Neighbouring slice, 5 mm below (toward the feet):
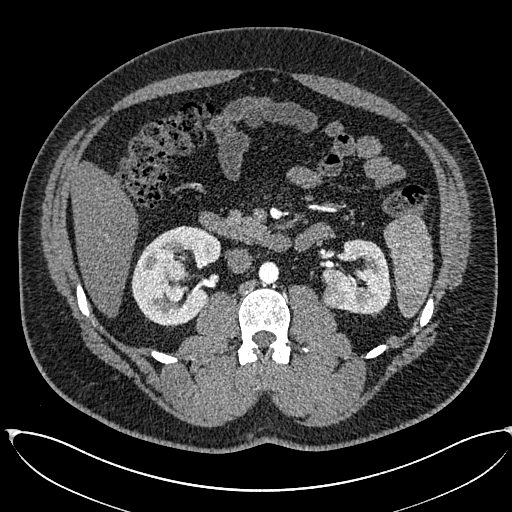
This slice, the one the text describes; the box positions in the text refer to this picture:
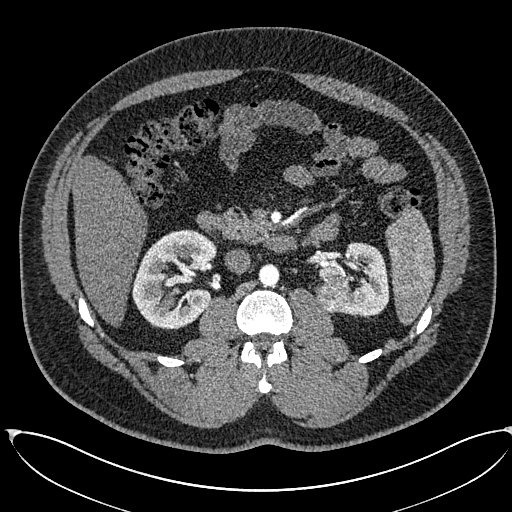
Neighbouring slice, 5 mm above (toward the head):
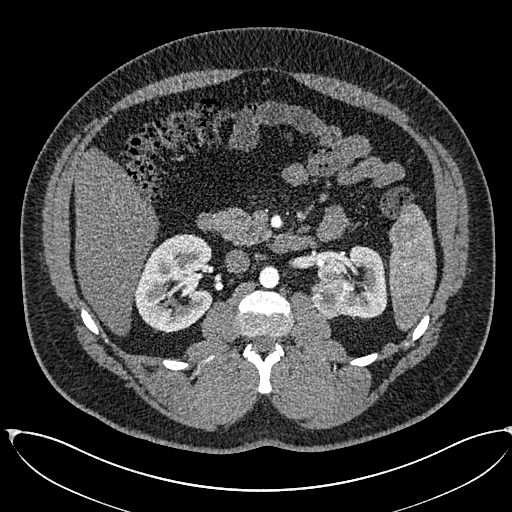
Arterial-phase contrast-enhanced abdominal CT, axial slice 351 of 673 (counted from the lowest slice); tube voltage 120 kVp, convolution kernel I30f; slices 1.00 mm thick, 0.855 mm per pixel.
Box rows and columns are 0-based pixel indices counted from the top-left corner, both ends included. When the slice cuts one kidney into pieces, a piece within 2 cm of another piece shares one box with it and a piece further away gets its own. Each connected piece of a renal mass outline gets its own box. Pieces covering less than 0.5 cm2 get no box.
Two kidney boxes and two renal mass boxes on this slice; by box centre, from the image's left to its right: (1) Box rows 229–329, columns 132–217: right kidney (outlined area 6,036 px, about 44.2 cm2). (2) Right renal mass at rows 287–295, columns 170–180 (outlined area 72 px, about 0.5 cm2). (3) Left renal mass, box rows 276–312, columns 315–350 (outlined area 1,023 px, about 7.5 cm2). (4) Left kidney at rows 242–316, columns 319–389 (outlined area 3,171 px, about 23.2 cm2). This slice lies near the end of the right renal mass toward the head; the slices 5 mm below and 5 mm above it are shown too, and the boxes mark positions on this slice only.